Contrast-enhanced abdominal CT, axial slice 29 of 105 (counted from the lowest slice); tube voltage 120 kVp, convolution kernel B; slices 3.00 mm thick, 0.977 mm per pixel.
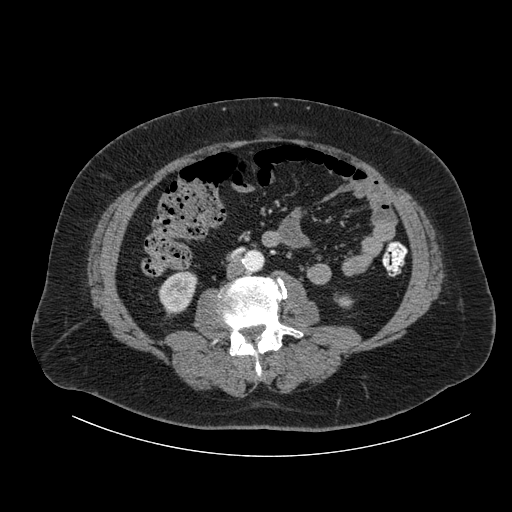
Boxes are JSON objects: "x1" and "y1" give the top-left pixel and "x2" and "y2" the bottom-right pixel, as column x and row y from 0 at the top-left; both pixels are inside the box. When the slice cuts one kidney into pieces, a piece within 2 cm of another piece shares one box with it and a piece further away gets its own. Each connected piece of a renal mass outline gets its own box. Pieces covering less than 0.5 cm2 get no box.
Two kidney boxes on this slice; by box centre, from the image's left to its right: (1) Box {"x1": 158, "y1": 271, "x2": 197, "y2": 313}: right kidney (outlined area 1,261 px, about 12.0 cm2). (2) Left kidney, box {"x1": 334, "y1": 294, "x2": 353, "y2": 308} (outlined area 198 px, about 1.9 cm2). No renal mass outline on this slice.